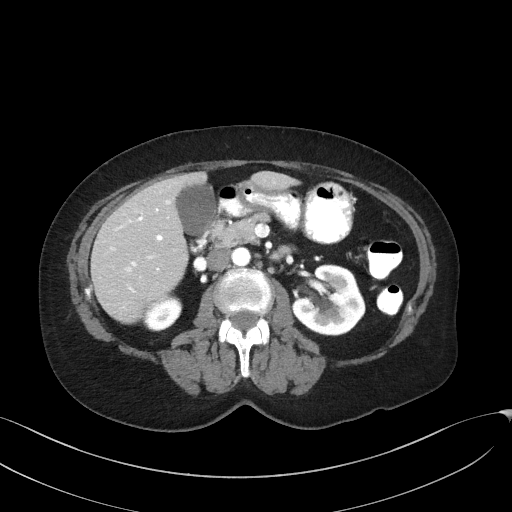
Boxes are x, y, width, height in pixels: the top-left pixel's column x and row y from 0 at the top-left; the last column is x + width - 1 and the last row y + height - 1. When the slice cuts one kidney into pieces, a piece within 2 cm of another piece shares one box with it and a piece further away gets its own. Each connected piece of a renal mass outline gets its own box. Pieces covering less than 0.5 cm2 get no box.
Arterial-phase contrast-enhanced abdominal CT, axial slice 90 of 129 (counted from the lowest slice); 3.00 mm thick, 0.779 mm per pixel. Two boxes on this slice (two kidney boxes), listed by box centre from the image's left to its right. (1) Right kidney, box x 142, y 295, width 41, height 37 (outlined area 1,009 px, about 6.1 cm2). (2) Left kidney, box x 292, y 264, width 74, height 72 (outlined area 3,918 px, about 23.8 cm2). No renal mass outline on this slice.
Tube voltage 100 kVp; convolution kernel I41f.